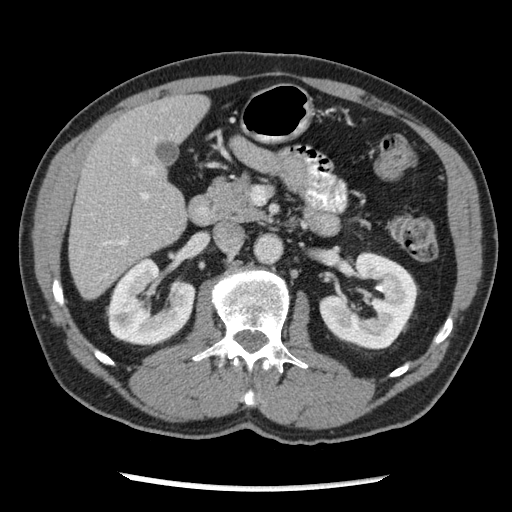
Arterial-phase contrast-enhanced abdominal CT, axial slice 125 of 262 (counted from the lowest slice); tube voltage 120 kVp, convolution kernel STANDARD; slices 2.50 mm thick, 0.703 mm per pixel.
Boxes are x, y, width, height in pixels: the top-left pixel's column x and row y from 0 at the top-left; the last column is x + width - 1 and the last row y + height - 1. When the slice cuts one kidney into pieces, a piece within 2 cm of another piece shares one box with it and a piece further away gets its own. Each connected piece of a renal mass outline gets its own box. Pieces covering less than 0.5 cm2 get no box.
Boxed on this slice (two kidney boxes), listed by box centre from the image's left to its right: (1) Right kidney, box x 106, y 257, width 89, height 90 (outlined area 5,410 px, about 26.7 cm2). (2) Left kidney, box x 319, y 251, width 100, height 99 (outlined area 6,304 px, about 31.2 cm2). No renal mass outline on this slice.